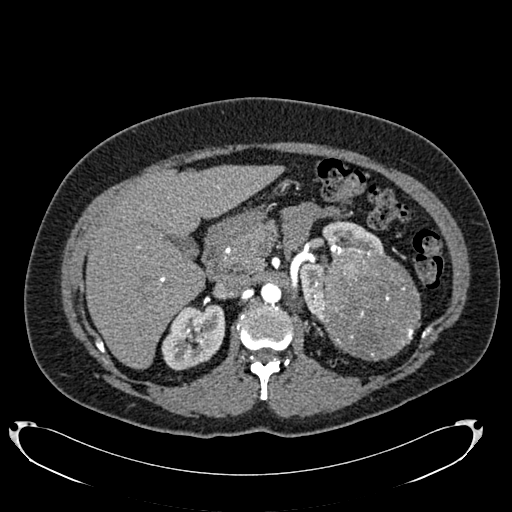
Abdominal CT with intravenous contrast, arterial phase, axial plane, 120 kVp, kernel B20f. Slice 475/634 from the bottom of the scan; thickness 1.00 mm; pixel size 0.838 mm.
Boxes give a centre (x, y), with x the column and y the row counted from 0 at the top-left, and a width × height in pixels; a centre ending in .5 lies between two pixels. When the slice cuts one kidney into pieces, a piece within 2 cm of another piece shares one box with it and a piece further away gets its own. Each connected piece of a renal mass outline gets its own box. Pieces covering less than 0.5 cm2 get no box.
Boxed on this slice (two kidney boxes and one renal mass box), listed by box centre from the image's left to its right: (1) Right kidney in a box with centre (193, 337), 65 × 67 pixels (outlined area 3,139 px, about 22.0 cm2). (2) Box centre (341.5, 271), 86 × 105 pixels: left kidney (outlined area 2,918 px, about 20.5 cm2). (3) Left renal mass, box centre (371.5, 304.5), 98 × 114 pixels (outlined area 8,929 px, about 62.7 cm2).